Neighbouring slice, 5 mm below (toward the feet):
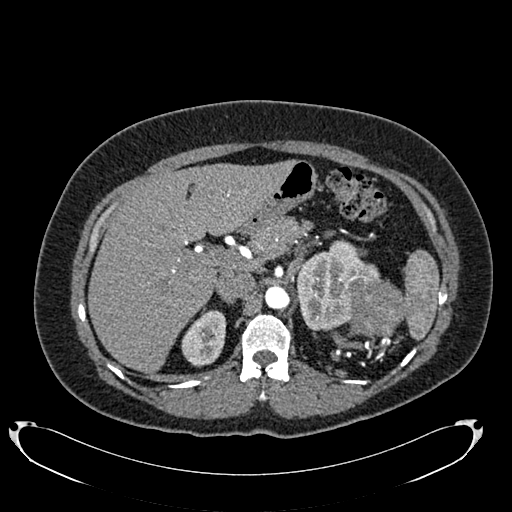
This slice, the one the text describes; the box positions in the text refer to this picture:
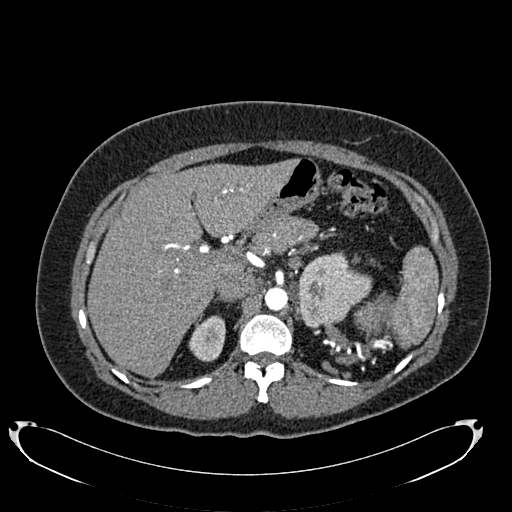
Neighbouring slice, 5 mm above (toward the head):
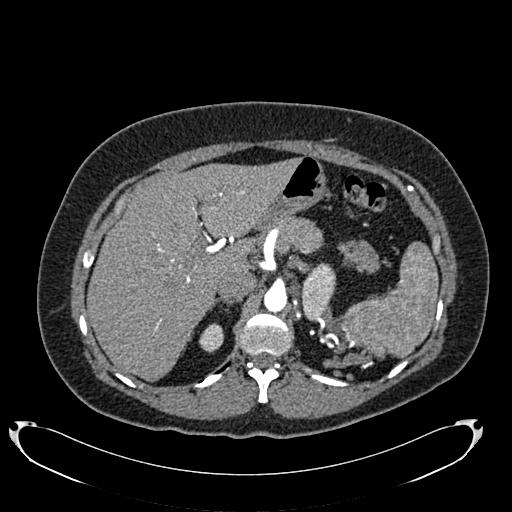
Arterial-phase contrast-enhanced abdominal CT, axial slice 525 of 634 (counted from the lowest slice); tube voltage 120 kVp, convolution kernel B20f; slices 1.00 mm thick, 0.838 mm per pixel.
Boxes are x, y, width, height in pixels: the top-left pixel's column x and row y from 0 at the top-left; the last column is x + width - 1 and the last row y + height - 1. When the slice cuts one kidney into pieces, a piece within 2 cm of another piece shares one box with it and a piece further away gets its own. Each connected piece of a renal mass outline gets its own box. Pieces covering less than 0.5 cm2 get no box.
Three boxes on this slice (two kidney boxes and one renal mass box), listed by box centre from the image's left to its right. (1) Box x 188, y 315, width 38, height 47: right kidney (outlined area 1,303 px, about 9.1 cm2). (2) Left kidney at x 298, y 251, width 75, height 77 (outlined area 3,924 px, about 27.5 cm2). (3) Box x 363, y 296, width 25, height 32: left renal mass (outlined area 497 px, about 3.5 cm2). This slice is near the end of the left renal mass toward the head, so the slices 5 mm below and 5 mm above it are shown as well; the boxes refer to this slice only.